Axial slice 48 of 304 of a contrast-enhanced abdominal CT in the arterial phase (slice 1 is the lowest), 100 kVp, kernel I30f; 2.00 mm slice thickness and 0.809 mm pixels.
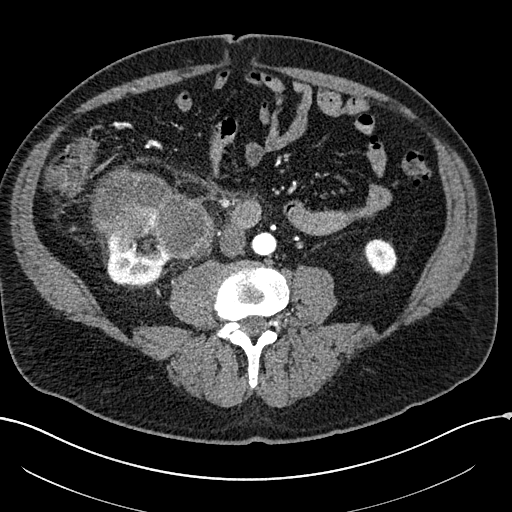
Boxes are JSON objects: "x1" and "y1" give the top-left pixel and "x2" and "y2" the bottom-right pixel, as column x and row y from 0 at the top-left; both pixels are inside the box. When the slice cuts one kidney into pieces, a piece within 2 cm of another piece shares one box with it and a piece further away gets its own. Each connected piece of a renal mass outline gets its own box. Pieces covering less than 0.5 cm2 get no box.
Three boxes on this slice (two kidney boxes and one renal mass box), listed by box centre from the image's left to its right. (1) Right kidney at {"x1": 103, "y1": 231, "x2": 172, "y2": 284} (outlined area 2,638 px, about 17.2 cm2). (2) Right renal mass at {"x1": 90, "y1": 165, "x2": 214, "y2": 262} (outlined area 7,430 px, about 48.6 cm2). (3) Box {"x1": 363, "y1": 238, "x2": 397, "y2": 276}: left kidney (outlined area 941 px, about 6.2 cm2).